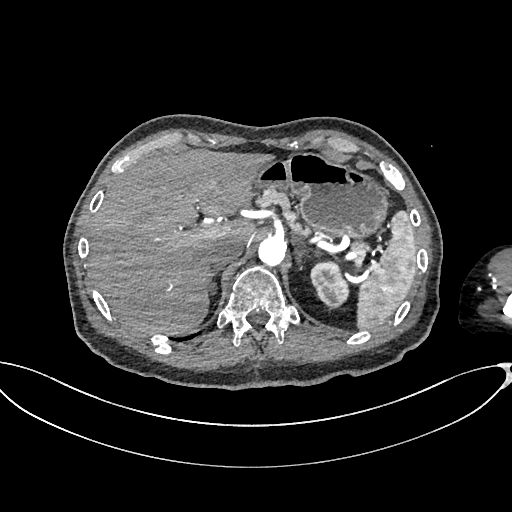
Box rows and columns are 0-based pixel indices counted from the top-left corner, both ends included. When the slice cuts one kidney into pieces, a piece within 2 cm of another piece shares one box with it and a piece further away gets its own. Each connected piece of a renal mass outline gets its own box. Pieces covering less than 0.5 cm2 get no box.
This is axial slice 507 of 665 (slice 1 is the lowest) of an arterial-phase abdominal CT with contrast; each pixel is 0.828 mm and the slice is 1.00 mm thick. Left kidney, box rows 260–309, columns 310–349 (outlined area 1,431 px, about 9.8 cm2). This slice carries no renal mass outline.
Tube voltage 100 kVp; convolution kernel I26f.